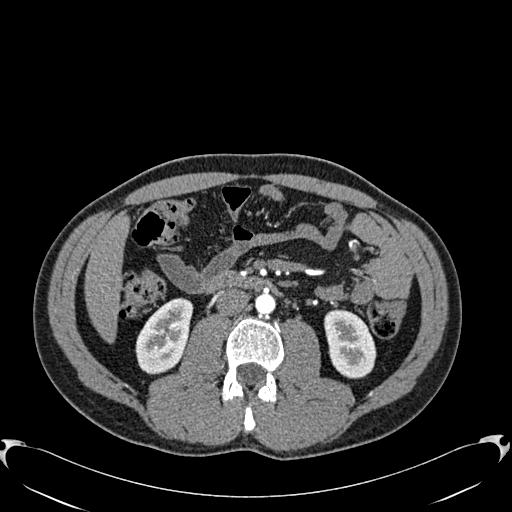
Axial slice 303 of 512 of a contrast-enhanced abdominal CT in the arterial phase (slice 1 is the lowest), 120 kVp, kernel B30f; 1.00 mm slice thickness and 0.771 mm pixels.
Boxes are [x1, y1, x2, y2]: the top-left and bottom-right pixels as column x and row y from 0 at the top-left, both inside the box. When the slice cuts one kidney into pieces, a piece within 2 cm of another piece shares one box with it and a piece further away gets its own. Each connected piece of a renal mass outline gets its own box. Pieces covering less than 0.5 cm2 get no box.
Two kidney boxes on this slice; by box centre, from the image's left to its right: (1) Right kidney at [135, 298, 193, 374] (outlined area 3,128 px, about 18.6 cm2). (2) Left kidney, box [324, 309, 376, 378] (outlined area 2,790 px, about 16.6 cm2). No renal mass outline on this slice.